Axial slice 134 of 269 of a contrast-enhanced abdominal CT (slice 1 is the lowest), 100 kVp, kernel I30f; 5.00 mm slice thickness and 0.732 mm pixels.
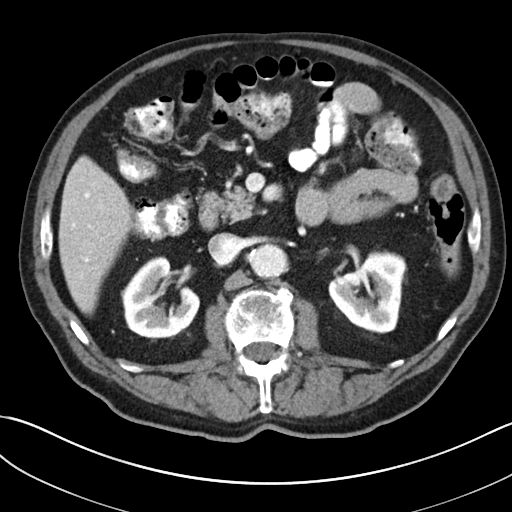
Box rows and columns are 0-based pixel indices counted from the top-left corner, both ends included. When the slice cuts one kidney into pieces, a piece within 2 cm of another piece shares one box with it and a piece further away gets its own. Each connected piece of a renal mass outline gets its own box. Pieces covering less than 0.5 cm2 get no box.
Two boxes on this slice (two kidney boxes), listed by box centre from the image's left to its right. (1) Box rows 256–337, columns 122–199: right kidney (outlined area 4,379 px, about 23.5 cm2). (2) Left kidney, box rows 250–333, columns 328–406 (outlined area 4,645 px, about 24.9 cm2). No renal mass outline on this slice.